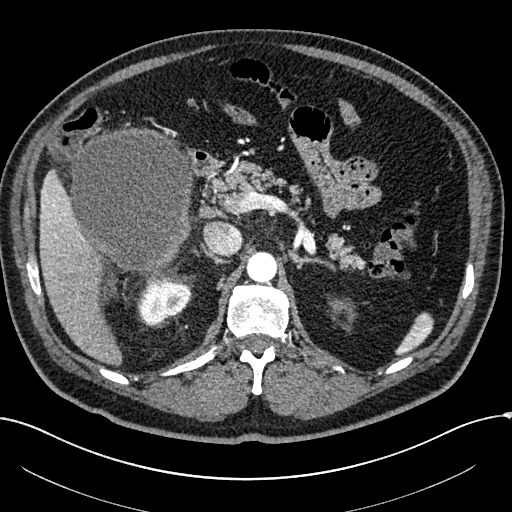
Arterial-phase contrast-enhanced abdominal CT, axial slice 160 of 304 (counted from the lowest slice); tube voltage 100 kVp, convolution kernel I30f; slices 2.00 mm thick, 0.809 mm per pixel.
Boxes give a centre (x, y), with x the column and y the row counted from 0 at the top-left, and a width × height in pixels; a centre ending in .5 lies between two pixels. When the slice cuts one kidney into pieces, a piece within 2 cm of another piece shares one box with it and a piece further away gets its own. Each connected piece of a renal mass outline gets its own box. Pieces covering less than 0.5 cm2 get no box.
Two boxes on this slice (one kidney box and one renal mass box), listed by box centre from the image's left to its right. (1) Right renal mass in a box with centre (131, 201), 125 × 149 pixels (outlined area 14,435 px, about 94.4 cm2). (2) Right kidney in a box with centre (164.5, 302), 54 × 47 pixels (outlined area 1,774 px, about 11.6 cm2).